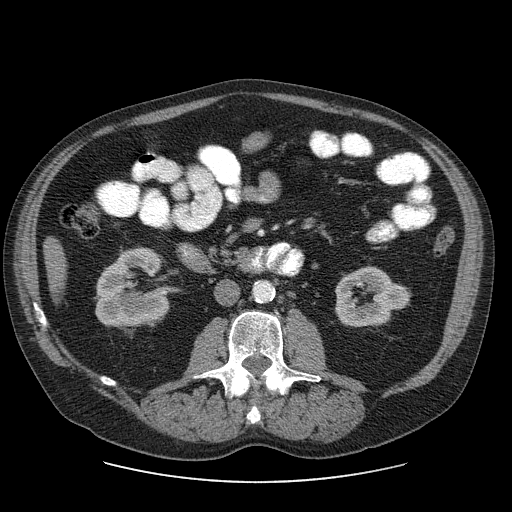
Abdominal CT with intravenous contrast, axial plane, 120 kVp, kernel STANDARD. Slice 28/103 from the bottom of the scan; thickness 2.50 mm; pixel size 0.820 mm.
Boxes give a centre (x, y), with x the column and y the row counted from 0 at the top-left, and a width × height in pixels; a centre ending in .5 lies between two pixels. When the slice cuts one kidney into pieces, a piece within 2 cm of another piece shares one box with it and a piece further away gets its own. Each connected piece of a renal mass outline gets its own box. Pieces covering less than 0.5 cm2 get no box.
Two boxes on this slice (two kidney boxes), listed by box centre from the image's left to its right. (1) Right kidney, box centre (132.5, 287), 76 × 81 pixels (outlined area 4,457 px, about 30.0 cm2). (2) Left kidney in a box with centre (372, 296), 75 × 63 pixels (outlined area 3,223 px, about 21.7 cm2). This slice carries no renal mass outline.